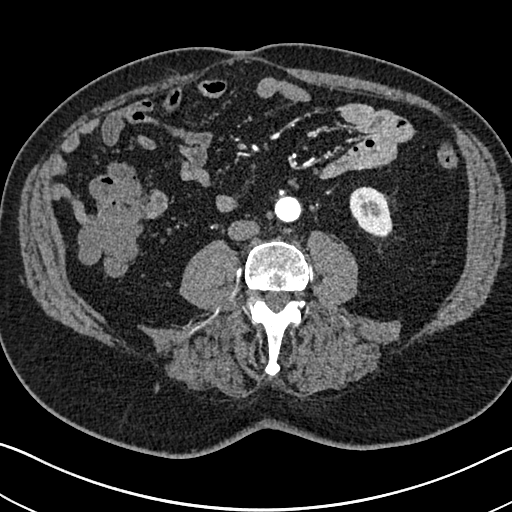
Axial slice 284 of 705 of a contrast-enhanced abdominal CT in the arterial phase (slice 1 is the lowest), 120 kVp, kernel I30f; 1.00 mm slice thickness and 0.703 mm pixels.
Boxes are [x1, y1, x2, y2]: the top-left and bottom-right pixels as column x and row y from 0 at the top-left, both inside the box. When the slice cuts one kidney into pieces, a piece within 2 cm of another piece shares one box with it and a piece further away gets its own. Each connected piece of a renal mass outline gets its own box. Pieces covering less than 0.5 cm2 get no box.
Box [349, 186, 392, 238]: left kidney (outlined area 1,677 px, about 8.3 cm2). This slice carries no renal mass outline.